Arterial-phase contrast-enhanced abdominal CT, axial slice 117 of 234 (counted from the lowest slice); tube voltage 100 kVp, convolution kernel I40f; slices 2.00 mm thick, 0.699 mm per pixel.
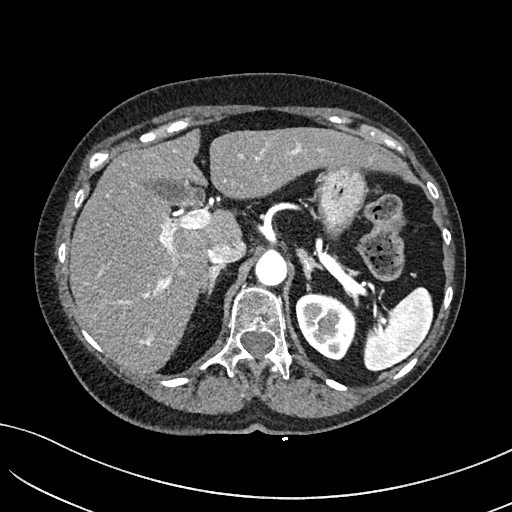
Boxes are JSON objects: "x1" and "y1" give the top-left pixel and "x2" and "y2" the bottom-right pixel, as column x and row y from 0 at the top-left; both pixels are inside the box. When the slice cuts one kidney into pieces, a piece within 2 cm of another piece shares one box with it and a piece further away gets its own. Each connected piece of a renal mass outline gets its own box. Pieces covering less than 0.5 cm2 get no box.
Left kidney at {"x1": 295, "y1": 292, "x2": 356, "y2": 360} (outlined area 3,059 px, about 15.0 cm2). No renal mass is outlined on this slice.